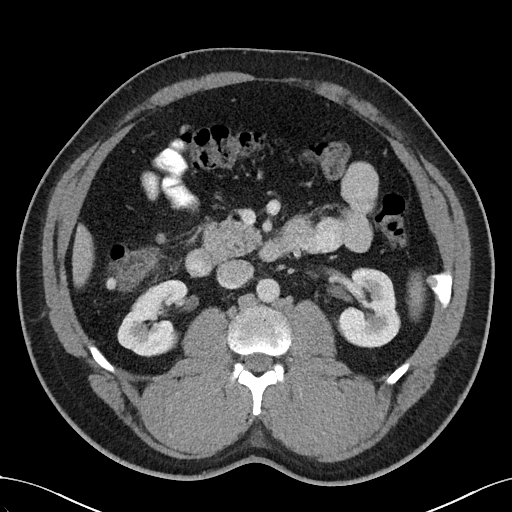
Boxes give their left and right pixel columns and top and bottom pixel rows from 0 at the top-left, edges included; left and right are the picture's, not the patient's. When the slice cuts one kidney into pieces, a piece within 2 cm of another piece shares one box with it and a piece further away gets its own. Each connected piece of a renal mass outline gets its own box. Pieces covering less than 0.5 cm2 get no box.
Arterial-phase contrast-enhanced abdominal CT, axial slice 66 of 102 (counted from the lowest slice); 5.00 mm thick, 0.781 mm per pixel. Two boxes on this slice (two kidney boxes), listed by box centre from the image's left to its right. (1) Right kidney, the box with left 117, top 279, right 188, bottom 357 (outlined area 3,622 px, about 22.1 cm2). (2) Box with left 338, top 268, right 400, bottom 348: left kidney (outlined area 3,801 px, about 23.2 cm2). No renal mass is outlined on this slice.
Tube voltage 100 kVp; convolution kernel I40f.